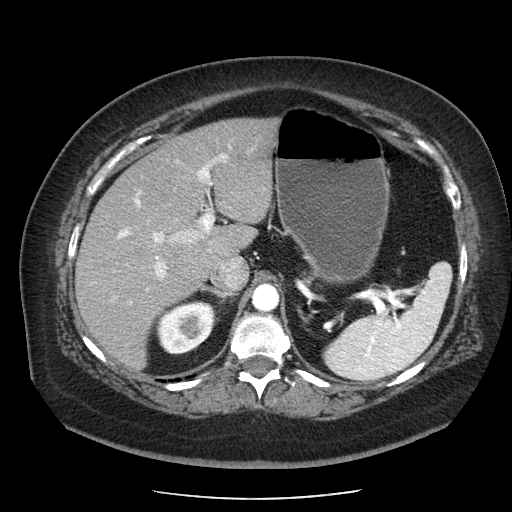
Arterial-phase contrast-enhanced abdominal CT, axial slice 146 of 186 (counted from the lowest slice); tube voltage 120 kVp, convolution kernel STANDARD; slices 2.50 mm thick, 0.742 mm per pixel.
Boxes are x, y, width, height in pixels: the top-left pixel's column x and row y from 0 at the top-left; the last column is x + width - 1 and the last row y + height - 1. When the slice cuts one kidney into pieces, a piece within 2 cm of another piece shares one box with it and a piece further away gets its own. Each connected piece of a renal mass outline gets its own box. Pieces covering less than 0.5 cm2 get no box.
Right kidney at x 155, y 300, width 62, height 55 (outlined area 2,495 px, about 13.7 cm2). This slice carries no renal mass outline.